Axial slice 41 of 301 of a contrast-enhanced abdominal CT (slice 1 is the lowest), 120 kVp, kernel I40f; 2.00 mm slice thickness and 0.859 mm pixels.
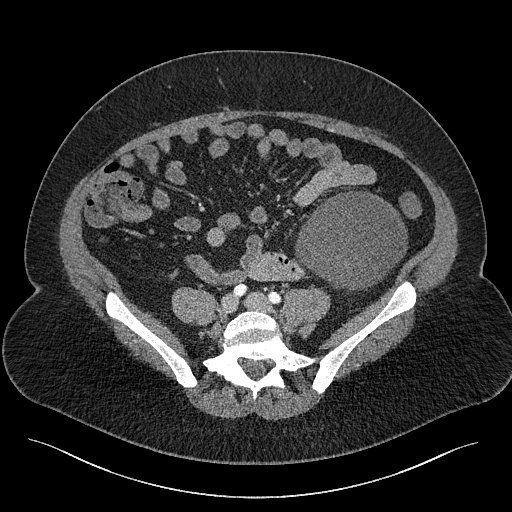
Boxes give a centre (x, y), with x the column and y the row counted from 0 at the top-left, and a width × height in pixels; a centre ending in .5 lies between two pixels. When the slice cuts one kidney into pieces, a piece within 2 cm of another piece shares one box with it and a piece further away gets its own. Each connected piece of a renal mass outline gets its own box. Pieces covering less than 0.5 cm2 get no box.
Left renal mass in a box with centre (351, 240), 113 × 101 pixels (outlined area 8,253 px, about 61.0 cm2); no kidney outline appears on this slice, but the same outlined renal mass comes within 1 cm of the kidney on another slice.